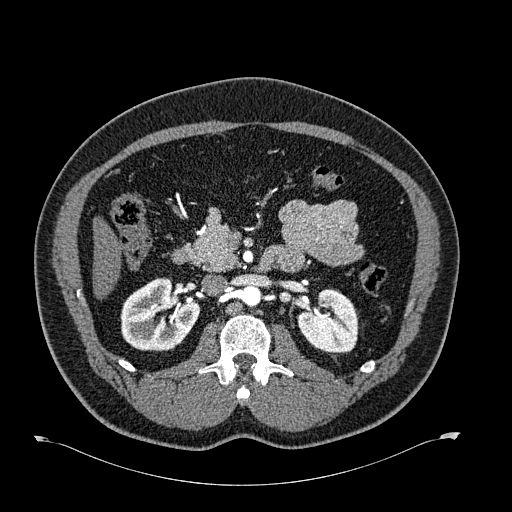
Arterial-phase contrast-enhanced abdominal CT, axial slice 382 of 723 (counted from the lowest slice); tube voltage 120 kVp, convolution kernel B30f; slices 1.00 mm thick, 0.895 mm per pixel.
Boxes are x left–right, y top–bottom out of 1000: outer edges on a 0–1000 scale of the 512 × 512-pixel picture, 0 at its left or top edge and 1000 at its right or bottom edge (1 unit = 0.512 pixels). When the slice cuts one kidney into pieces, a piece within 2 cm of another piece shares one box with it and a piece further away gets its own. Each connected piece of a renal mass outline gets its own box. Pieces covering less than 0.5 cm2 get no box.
Two boxes on this slice (two kidney boxes), listed by box centre from the image's left to its right. (1) Box x 234–391, y 541–688 out of 1000: right kidney (outlined area 4,314 px, about 34.5 cm2). (2) Left kidney, box x 580–701, y 563–691 out of 1000 (outlined area 2,986 px, about 23.9 cm2). This slice carries no renal mass outline.